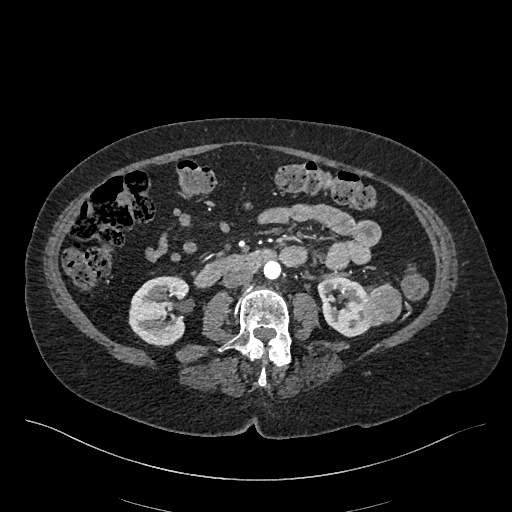
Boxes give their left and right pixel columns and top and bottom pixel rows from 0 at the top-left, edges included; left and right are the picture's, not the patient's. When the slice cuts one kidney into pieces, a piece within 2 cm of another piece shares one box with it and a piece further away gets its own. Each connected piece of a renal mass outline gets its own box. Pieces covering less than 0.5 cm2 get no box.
Slice 209/548 of a contrast-enhanced abdominal CT in the arterial phase, counting up from the lowest; pixel size 0.852 mm, slice thickness 1.00 mm. Three boxes on this slice (two kidney boxes and one renal mass box), listed by box centre from the image's left to its right. (1) Box with left 128, top 276, right 189, bottom 346: right kidney (outlined area 3,405 px, about 24.7 cm2). (2) Left kidney, the box with left 317, top 277, right 370, bottom 337 (outlined area 2,322 px, about 16.8 cm2). (3) Box with left 363, top 283, right 401, bottom 327: left renal mass (outlined area 1,286 px, about 9.3 cm2).
Scan settings: 120 kVp, I26f reconstruction kernel.